One axial slice (45 of 99, counting up from the lowest) of a contrast-enhanced abdominal CT acquired with 120 kVp, kernel B31f; each pixel is 0.742 mm and the slice is 5.00 mm thick.
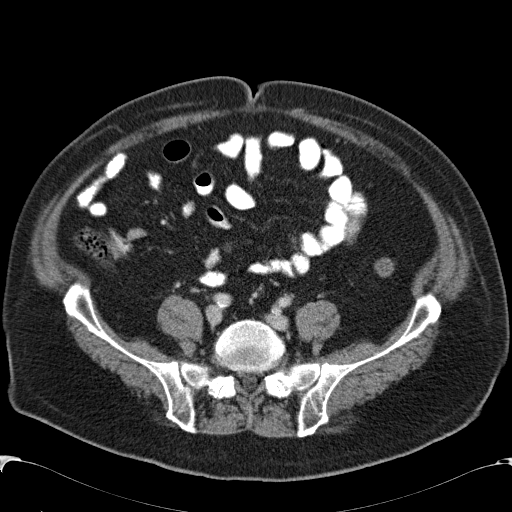
Neither a kidney nor a renal mass is outlined here. Only kidneys and renal masses are outlined anywhere in this scan; other structures are never outlined.